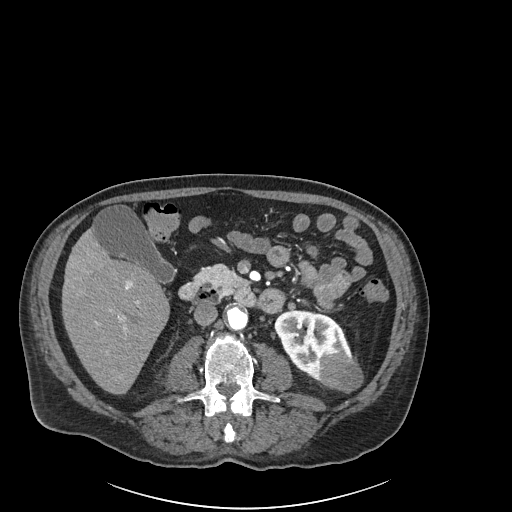
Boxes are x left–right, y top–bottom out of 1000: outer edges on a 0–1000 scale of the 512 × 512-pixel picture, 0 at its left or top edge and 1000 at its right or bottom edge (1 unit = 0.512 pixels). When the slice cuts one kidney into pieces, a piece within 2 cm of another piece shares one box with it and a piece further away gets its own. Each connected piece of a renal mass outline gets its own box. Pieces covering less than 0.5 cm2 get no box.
Slice 90/261 of a contrast-enhanced abdominal CT in the arterial phase, counting up from the lowest; pixel size 0.939 mm, slice thickness 2.00 mm. One kidney box and one renal mass box on this slice; by box centre, from the image's left to its right: (1) Left kidney, box x 535–691, y 605–744 out of 1000 (outlined area 3,254 px, about 28.7 cm2). (2) Left renal mass at x 623–711, y 688–766 out of 1000 (outlined area 1,420 px, about 12.5 cm2).
Acquired at 120 kVp and reconstructed with the I30f kernel.